One axial slice (498 of 705, counting up from the lowest) of an arterial-phase abdominal CT acquired with 120 kVp, kernel I30f; each pixel is 0.703 mm and the slice is 1.00 mm thick.
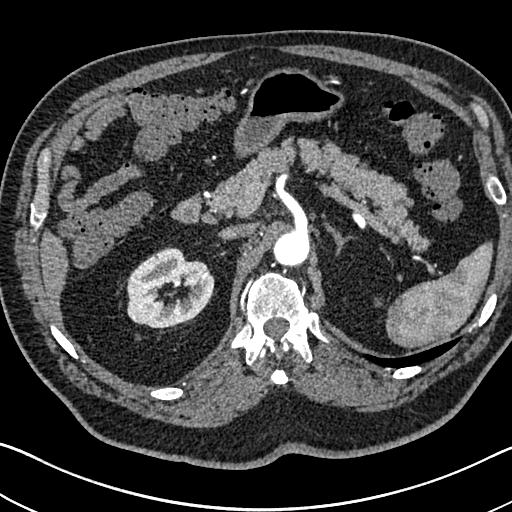
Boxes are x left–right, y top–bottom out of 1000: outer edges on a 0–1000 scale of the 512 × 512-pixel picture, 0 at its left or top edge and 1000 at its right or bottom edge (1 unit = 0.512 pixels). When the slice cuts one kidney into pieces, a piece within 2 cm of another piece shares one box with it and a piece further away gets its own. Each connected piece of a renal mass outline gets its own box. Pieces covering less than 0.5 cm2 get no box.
Right kidney, box x 246–420, y 482–645 out of 1000 (outlined area 5,099 px, about 25.2 cm2). This slice carries no renal mass outline.